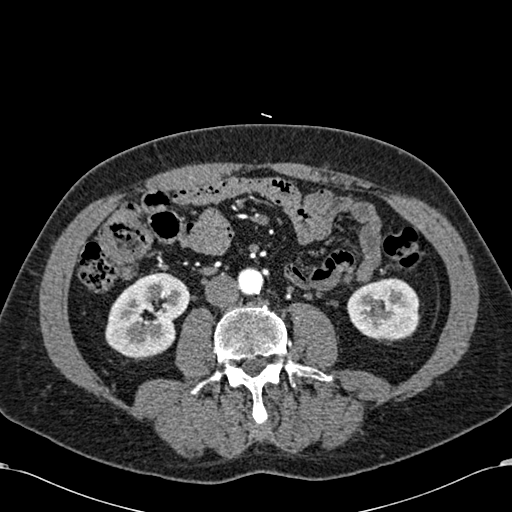
Axial slice 260 of 581 of a contrast-enhanced abdominal CT in the arterial phase (slice 1 is the lowest), 120 kVp, kernel B30f; 1.00 mm slice thickness and 0.713 mm pixels.
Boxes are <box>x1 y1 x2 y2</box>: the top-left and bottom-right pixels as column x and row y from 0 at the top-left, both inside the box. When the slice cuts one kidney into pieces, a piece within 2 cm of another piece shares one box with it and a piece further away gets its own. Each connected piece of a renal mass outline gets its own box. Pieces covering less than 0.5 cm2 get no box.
Two boxes on this slice (two kidney boxes), listed by box centre from the image's left to its right. (1) Right kidney at <box>105 271 190 358</box> (outlined area 5,222 px, about 26.5 cm2). (2) Left kidney: <box>346 278 420 339</box> (outlined area 3,668 px, about 18.6 cm2). This slice carries no renal mass outline.